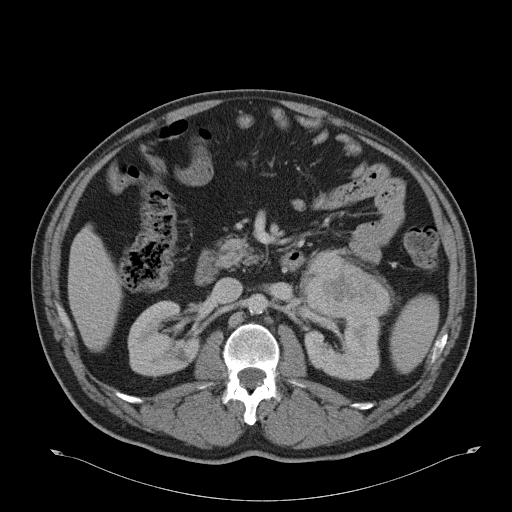
Abdominal CT with intravenous contrast, axial plane, 120 kVp, kernel B31f. Slice 22/51 from the bottom of the scan; thickness 5.00 mm; pixel size 0.865 mm.
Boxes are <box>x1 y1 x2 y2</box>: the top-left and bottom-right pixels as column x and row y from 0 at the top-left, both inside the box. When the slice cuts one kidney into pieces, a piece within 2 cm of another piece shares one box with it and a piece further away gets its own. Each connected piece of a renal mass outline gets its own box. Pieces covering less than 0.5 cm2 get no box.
Boxed on this slice (two kidney boxes and one renal mass box), listed by box centre from the image's left to its right: (1) At <box>127 300 198 377</box>: right kidney (outlined area 4,062 px, about 30.4 cm2). (2) Left kidney: <box>304 317 380 380</box> (outlined area 3,616 px, about 27.1 cm2). (3) At <box>306 253 389 319</box>: left renal mass (outlined area 4,082 px, about 30.6 cm2).